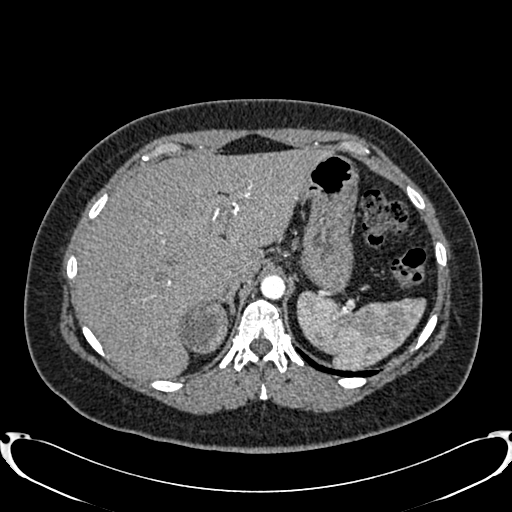
Abdominal CT with intravenous contrast, arterial phase, axial plane, 120 kVp, kernel B20f. Slice 627/719 from the bottom of the scan; thickness 1.00 mm; pixel size 0.766 mm.
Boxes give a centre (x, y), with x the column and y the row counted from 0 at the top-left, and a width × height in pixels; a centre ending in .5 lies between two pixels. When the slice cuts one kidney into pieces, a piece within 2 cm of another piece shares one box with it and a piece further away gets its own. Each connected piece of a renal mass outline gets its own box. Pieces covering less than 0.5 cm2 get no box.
Right renal mass in a box with centre (204, 326.5), 49 × 54 pixels (outlined area 2,075 px, about 12.2 cm2); no kidney outline appears on this slice, but the same outlined renal mass comes within 1 cm of the kidney on another slice.